Abdominal CT with intravenous contrast, arterial phase, axial plane, 120 kVp, kernel I30f. Slice 534/735 from the bottom of the scan; thickness 1.00 mm; pixel size 0.789 mm.
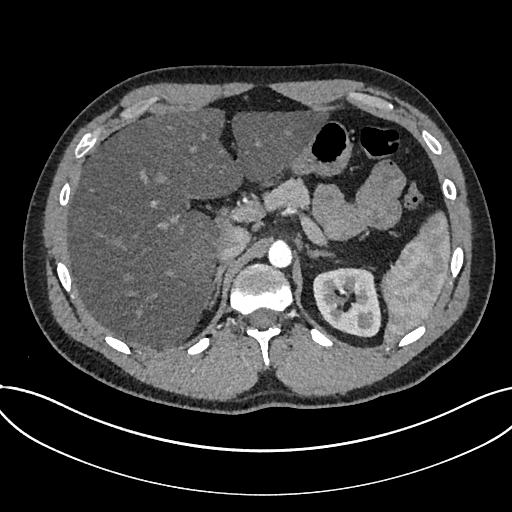
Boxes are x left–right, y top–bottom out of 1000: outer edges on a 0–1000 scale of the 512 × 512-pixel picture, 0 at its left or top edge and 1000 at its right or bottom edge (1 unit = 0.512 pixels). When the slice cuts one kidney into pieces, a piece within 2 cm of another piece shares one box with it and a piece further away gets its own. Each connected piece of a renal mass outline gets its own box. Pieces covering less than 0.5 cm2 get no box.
Kidney at x 611–746, y 521–660 out of 1000 (outlined area 3,732 px, about 23.2 cm2). No renal mass is outlined on this slice.